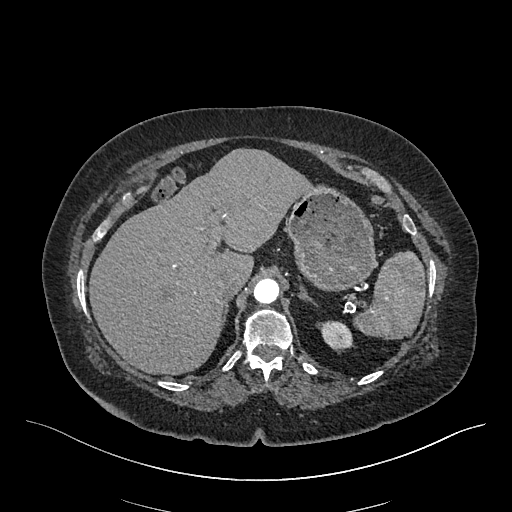
One axial slice (366 of 548, counting up from the lowest) of an arterial-phase abdominal CT acquired with 120 kVp, kernel I26f; each pixel is 0.852 mm and the slice is 1.00 mm thick.
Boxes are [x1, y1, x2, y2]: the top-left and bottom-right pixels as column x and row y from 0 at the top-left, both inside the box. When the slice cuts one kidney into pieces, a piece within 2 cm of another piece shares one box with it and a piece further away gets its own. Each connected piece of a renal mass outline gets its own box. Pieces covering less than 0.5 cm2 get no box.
Box [317, 320, 353, 349]: left kidney (outlined area 762 px, about 5.5 cm2). No renal mass is outlined on this slice.